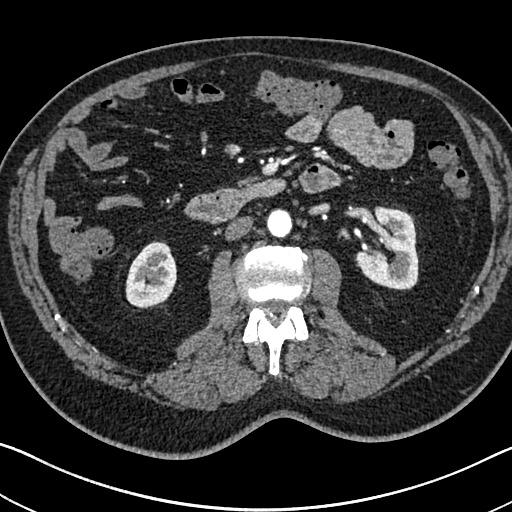
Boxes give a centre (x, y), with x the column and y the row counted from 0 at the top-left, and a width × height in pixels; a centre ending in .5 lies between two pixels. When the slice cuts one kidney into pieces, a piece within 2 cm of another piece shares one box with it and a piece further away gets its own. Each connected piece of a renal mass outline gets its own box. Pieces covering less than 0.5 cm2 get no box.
This is axial slice 389 of 705 (slice 1 is the lowest) of an arterial-phase abdominal CT with contrast; each pixel is 0.703 mm and the slice is 1.00 mm thick. Boxed on this slice (two kidney boxes), listed by box centre from the image's left to its right: (1) Right kidney, box centre (150.5, 274.5), 52 × 68 pixels (outlined area 2,668 px, about 13.2 cm2). (2) Box centre (386, 248), 65 × 85 pixels: left kidney (outlined area 3,917 px, about 19.4 cm2). No renal mass outline on this slice.
Tube voltage 120 kVp; convolution kernel I30f.